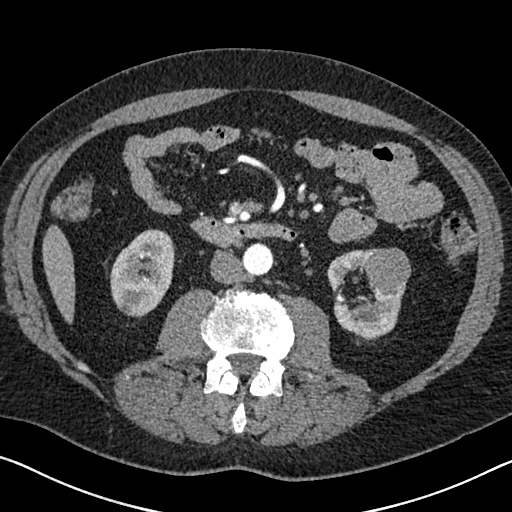
Abdominal CT with intravenous contrast, arterial phase, axial plane, 120 kVp, kernel I30f. Slice 330/626 from the bottom of the scan; thickness 1.00 mm; pixel size 0.703 mm.
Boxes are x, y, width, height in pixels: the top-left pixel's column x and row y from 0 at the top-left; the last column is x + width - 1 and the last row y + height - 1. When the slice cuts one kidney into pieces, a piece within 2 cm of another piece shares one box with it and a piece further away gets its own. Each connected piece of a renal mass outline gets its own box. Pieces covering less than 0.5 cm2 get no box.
Boxed on this slice (two kidney boxes and one renal mass box), listed by box centre from the image's left to its right: (1) Box x 110, y 229, width 65, height 89: right kidney (outlined area 4,274 px, about 21.1 cm2). (2) Left kidney at x 326, y 248, width 80, height 93 (outlined area 3,673 px, about 18.2 cm2). (3) Box x 363, y 247, width 49, height 47: left renal mass (outlined area 1,736 px, about 8.6 cm2).